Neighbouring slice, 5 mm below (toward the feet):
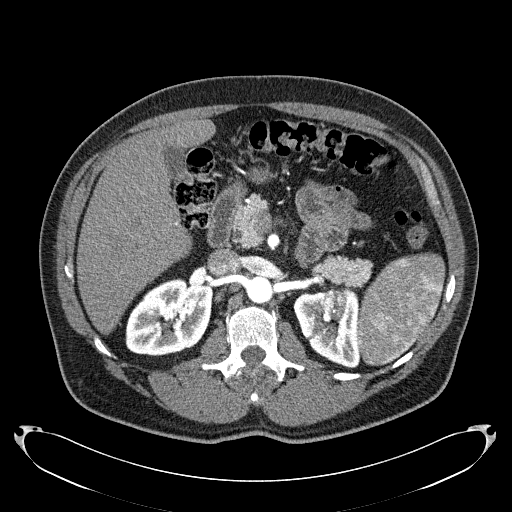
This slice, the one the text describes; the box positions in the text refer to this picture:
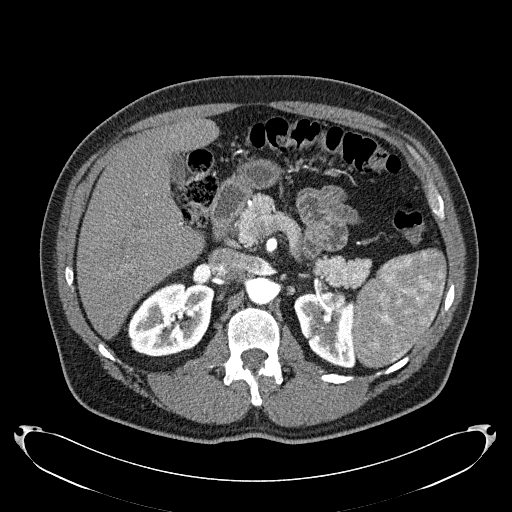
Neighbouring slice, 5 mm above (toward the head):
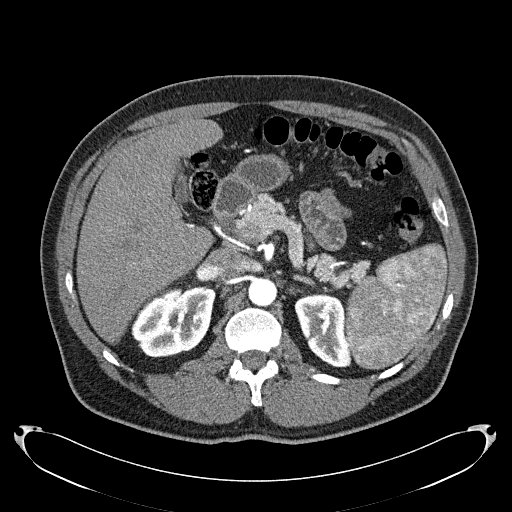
Axial slice 145 of 279 of a contrast-enhanced abdominal CT in the arterial phase (slice 1 is the lowest), 120 kVp, kernel B31f; 2.00 mm slice thickness and 0.824 mm pixels.
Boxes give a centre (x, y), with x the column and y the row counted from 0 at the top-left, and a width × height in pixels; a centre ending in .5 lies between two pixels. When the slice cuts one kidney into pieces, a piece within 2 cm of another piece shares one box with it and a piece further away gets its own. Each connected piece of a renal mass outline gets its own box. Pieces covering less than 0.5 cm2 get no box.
Two kidney boxes and one renal mass box on this slice; by box centre, from the image's left to its right: (1) Right kidney in a box with centre (170.5, 319), 88 × 75 pixels (outlined area 4,905 px, about 33.3 cm2). (2) Box centre (323.5, 329.5), 62 × 78 pixels: left kidney (outlined area 3,410 px, about 23.2 cm2). (3) Left renal mass, box centre (339, 297), 15 × 15 pixels (outlined area 168 px, about 1.1 cm2). This slice lies near the end of the left renal mass toward the head; the slices 5 mm below and 5 mm above it are shown too, and the boxes mark positions on this slice only.